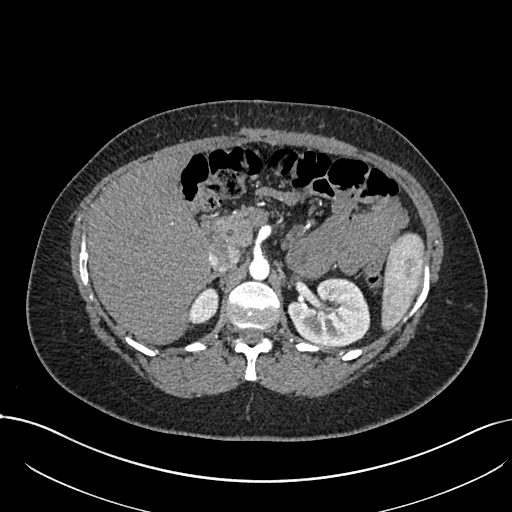
Axial slice 489 of 738 of a contrast-enhanced abdominal CT in the arterial phase (slice 1 is the lowest), 120 kVp, kernel I30f; 1.00 mm slice thickness and 0.789 mm pixels.
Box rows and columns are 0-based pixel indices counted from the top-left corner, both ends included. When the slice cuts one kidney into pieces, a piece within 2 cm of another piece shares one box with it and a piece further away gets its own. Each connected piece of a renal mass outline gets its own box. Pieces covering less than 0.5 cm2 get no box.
Two kidney boxes on this slice; by box centre, from the image's left to its right: (1) Right kidney at rows 287–324, columns 188–218 (outlined area 847 px, about 5.3 cm2). (2) Left kidney, box rows 277–345, columns 288–370 (outlined area 4,273 px, about 26.6 cm2). No renal mass outline on this slice.